Axial slice 620 of 834 of a contrast-enhanced abdominal CT (slice 1 is the lowest), 140 kVp, kernel I30f; 1.00 mm slice thickness and 0.977 mm pixels.
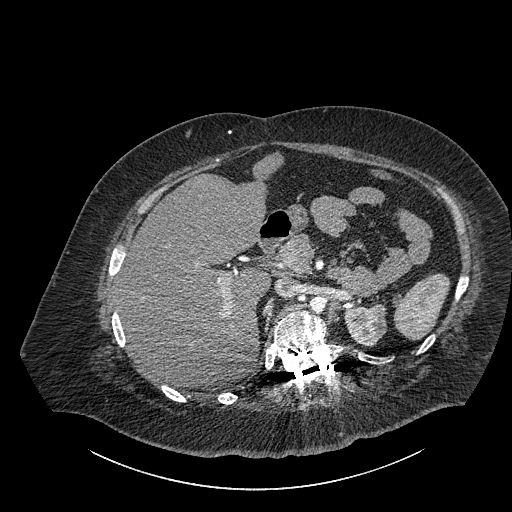
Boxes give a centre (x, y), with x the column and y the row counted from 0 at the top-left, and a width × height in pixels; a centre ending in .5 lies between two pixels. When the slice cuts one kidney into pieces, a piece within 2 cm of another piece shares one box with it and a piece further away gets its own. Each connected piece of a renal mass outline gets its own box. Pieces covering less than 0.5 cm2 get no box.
Left part of the midline-crossing kidney in a box with centre (365, 324), 43 × 45 pixels (outlined area 1,461 px, about 13.9 cm2). No renal mass outline on this slice.